Abdominal CT with intravenous contrast, arterial phase, axial plane, 120 kVp, kernel I30f. Slice 270/602 from the bottom of the scan; thickness 1.00 mm; pixel size 0.799 mm.
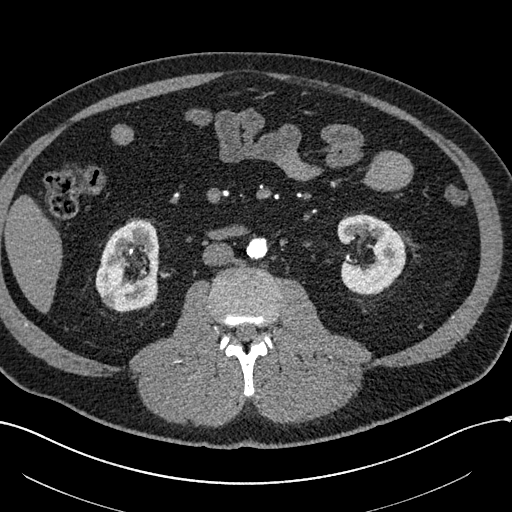
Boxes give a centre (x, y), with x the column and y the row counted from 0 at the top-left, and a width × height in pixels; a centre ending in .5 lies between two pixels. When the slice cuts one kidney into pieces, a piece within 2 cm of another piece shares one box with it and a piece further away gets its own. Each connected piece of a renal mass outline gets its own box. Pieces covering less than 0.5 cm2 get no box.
Two kidney boxes and one renal mass box on this slice; by box centre, from the image's left to its right: (1) Box centre (109.5, 300), 18 × 17 pixels: right renal mass (outlined area 215 px, about 1.4 cm2). (2) Right kidney in a box with centre (126.5, 264.5), 64 × 92 pixels (outlined area 4,290 px, about 27.4 cm2). (3) Left kidney in a box with centre (370.5, 254), 70 × 83 pixels (outlined area 3,930 px, about 25.1 cm2).